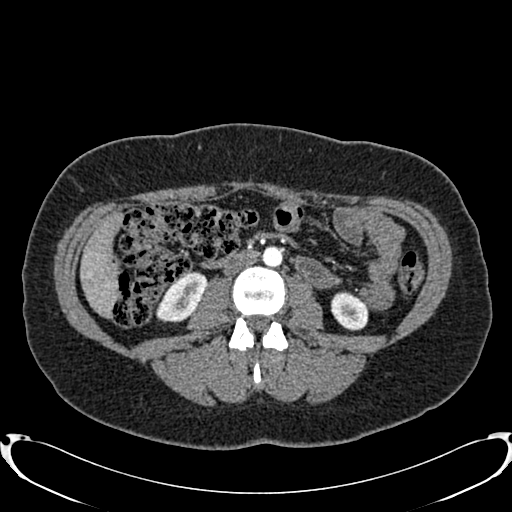
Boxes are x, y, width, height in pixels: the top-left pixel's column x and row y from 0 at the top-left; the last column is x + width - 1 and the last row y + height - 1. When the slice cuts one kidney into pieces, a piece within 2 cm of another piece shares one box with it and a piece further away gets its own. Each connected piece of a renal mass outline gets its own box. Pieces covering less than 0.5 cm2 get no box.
This is axial slice 387 of 719 (slice 1 is the lowest) of an arterial-phase abdominal CT with contrast; each pixel is 0.766 mm and the slice is 1.00 mm thick. Two kidney boxes on this slice; by box centre, from the image's left to its right: (1) Box x 155, y 272, width 52, height 51: right kidney (outlined area 1,675 px, about 9.8 cm2). (2) Left kidney at x 331, y 291, width 38, height 40 (outlined area 1,142 px, about 6.7 cm2). This slice carries no renal mass outline.
Tube voltage 120 kVp; convolution kernel B20f.